Arterial-phase contrast-enhanced abdominal CT, axial slice 282 of 548 (counted from the lowest slice); tube voltage 120 kVp, convolution kernel I26f; slices 1.00 mm thick, 0.852 mm per pixel.
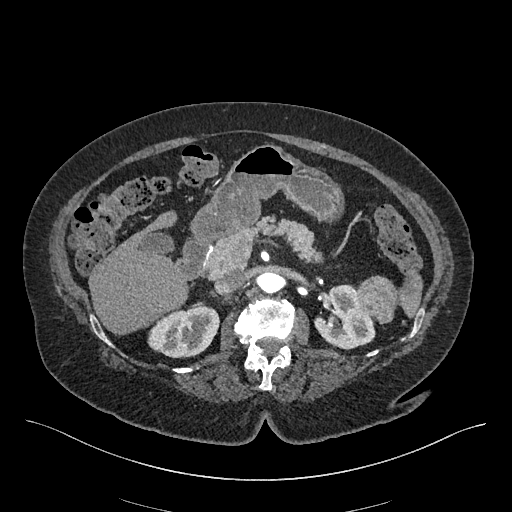
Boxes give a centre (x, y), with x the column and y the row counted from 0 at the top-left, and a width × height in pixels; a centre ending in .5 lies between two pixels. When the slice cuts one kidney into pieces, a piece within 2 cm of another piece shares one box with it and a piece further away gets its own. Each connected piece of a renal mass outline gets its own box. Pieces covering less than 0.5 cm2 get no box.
Boxed on this slice (two kidney boxes and one renal mass box), listed by box centre from the image's left to its right: (1) Right kidney, box centre (183, 331), 73 × 55 pixels (outlined area 2,863 px, about 20.8 cm2). (2) Box centre (344, 317), 63 × 65 pixels: left kidney (outlined area 2,678 px, about 19.4 cm2). (3) Left renal mass, box centre (376, 299.5), 41 × 50 pixels (outlined area 1,491 px, about 10.8 cm2).